Axial slice 83 of 326 of a contrast-enhanced abdominal CT in the arterial phase (slice 1 is the lowest), 120 kVp, kernel B31f; 2.00 mm slice thickness and 0.963 mm pixels.
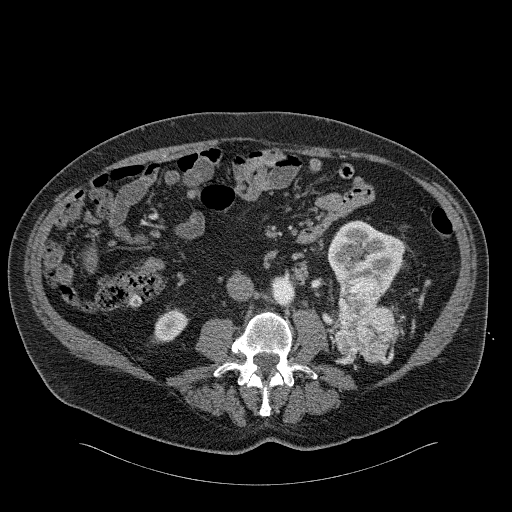
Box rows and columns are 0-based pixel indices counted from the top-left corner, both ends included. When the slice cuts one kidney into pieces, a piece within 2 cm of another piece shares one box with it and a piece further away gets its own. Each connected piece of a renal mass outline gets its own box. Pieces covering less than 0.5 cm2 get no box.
Two kidney boxes and one renal mass box on this slice; by box centre, from the image's left to its right: (1) Right kidney, box rows 308–343, columns 152–189 (outlined area 868 px, about 8.0 cm2). (2) Box rows 276–363, columns 330–400: left renal mass (outlined area 4,172 px, about 38.7 cm2). (3) Box rows 220–296, columns 327–405: left kidney (outlined area 3,760 px, about 34.9 cm2).